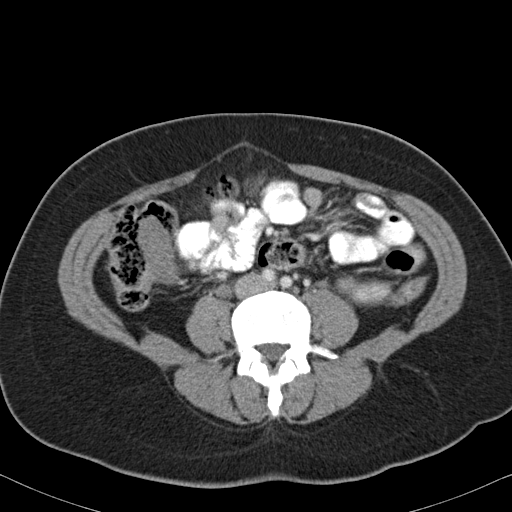
Abdominal CT with intravenous contrast, arterial phase, axial plane, 120 kVp, kernel B31f. Slice 48/82 from the bottom of the scan; thickness 5.00 mm; pixel size 0.625 mm.
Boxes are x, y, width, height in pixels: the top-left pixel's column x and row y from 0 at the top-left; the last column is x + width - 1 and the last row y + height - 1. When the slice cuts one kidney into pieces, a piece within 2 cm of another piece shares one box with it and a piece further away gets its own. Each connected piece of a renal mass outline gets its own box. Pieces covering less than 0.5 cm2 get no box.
Box x 337, y 277, width 57, height 27: left kidney (outlined area 1,035 px, about 4.0 cm2). This slice carries no renal mass outline.